Abdominal CT with intravenous contrast, arterial phase, axial plane, 100 kVp, kernel I30f. Slice 102/304 from the bottom of the scan; thickness 2.00 mm; pixel size 0.809 mm.
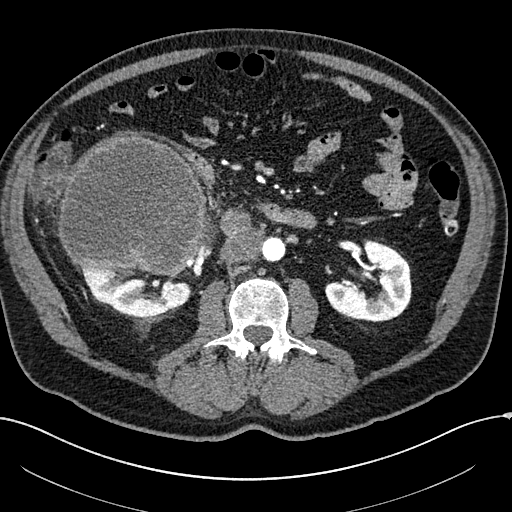
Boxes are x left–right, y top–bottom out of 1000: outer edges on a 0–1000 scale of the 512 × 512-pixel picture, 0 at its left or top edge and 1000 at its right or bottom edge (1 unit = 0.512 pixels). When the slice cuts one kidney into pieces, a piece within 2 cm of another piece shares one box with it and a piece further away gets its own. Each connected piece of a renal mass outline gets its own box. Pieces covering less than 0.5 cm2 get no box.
Three boxes on this slice (two kidney boxes and one renal mass box), listed by box centre from the image's left to its right. (1) Right renal mass, box x 111–404, y 264–541 out of 1000 (outlined area 16,632 px, about 108.7 cm2). (2) Right kidney at x 154–375, y 518–623 out of 1000 (outlined area 3,714 px, about 24.3 cm2). (3) Box x 635–805, y 467–631 out of 1000: left kidney (outlined area 4,698 px, about 30.7 cm2).